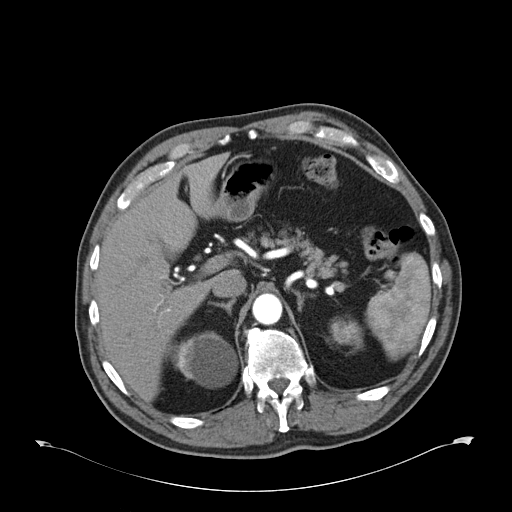
Axial slice 43 of 59 of a contrast-enhanced abdominal CT in the arterial phase (slice 1 is the lowest), 120 kVp, kernel B30f; 5.00 mm slice thickness and 0.871 mm pixels.
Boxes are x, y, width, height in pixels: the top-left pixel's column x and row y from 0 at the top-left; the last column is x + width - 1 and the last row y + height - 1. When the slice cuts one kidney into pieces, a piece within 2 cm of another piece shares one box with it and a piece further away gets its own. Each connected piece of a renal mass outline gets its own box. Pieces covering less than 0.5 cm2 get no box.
Boxed on this slice (two kidney boxes), listed by box centre from the image's left to its right: (1) Right kidney, box x 168, y 331, width 70, height 57 (outlined area 2,750 px, about 20.9 cm2). (2) Box x 330, y 317, width 34, height 36: left kidney (outlined area 797 px, about 6.0 cm2). This slice carries no renal mass outline.